Axial slice 310 of 673 of a contrast-enhanced abdominal CT in the arterial phase (slice 1 is the lowest), 120 kVp, kernel I30f; 1.00 mm slice thickness and 0.855 mm pixels.
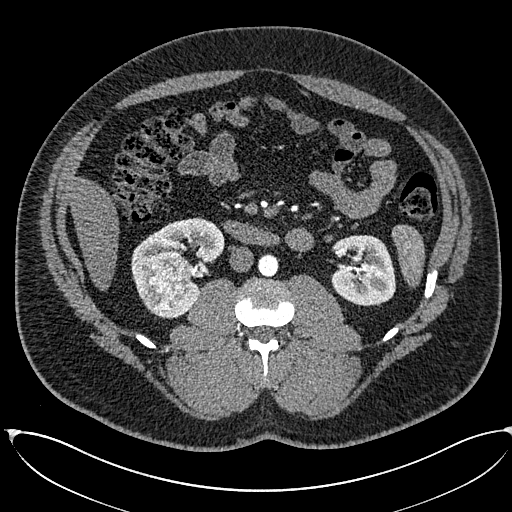
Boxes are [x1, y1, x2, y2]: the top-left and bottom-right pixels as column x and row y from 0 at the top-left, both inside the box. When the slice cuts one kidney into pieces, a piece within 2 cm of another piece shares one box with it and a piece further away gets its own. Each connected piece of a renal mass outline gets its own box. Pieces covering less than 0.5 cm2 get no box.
Two kidney boxes and one renal mass box on this slice; by box centre, from the image's left to its right: (1) Right renal mass at [148, 251, 191, 310] (outlined area 2,253 px, about 16.5 cm2). (2) Box [131, 217, 224, 317]: right kidney (outlined area 4,135 px, about 30.3 cm2). (3) Box [330, 235, 395, 306]: left kidney (outlined area 3,704 px, about 27.1 cm2).